One axial slice (107 of 316, counting up from the lowest) of an arterial-phase abdominal CT acquired with 100 kVp, kernel I40f; each pixel is 0.840 mm and the slice is 2.00 mm thick.
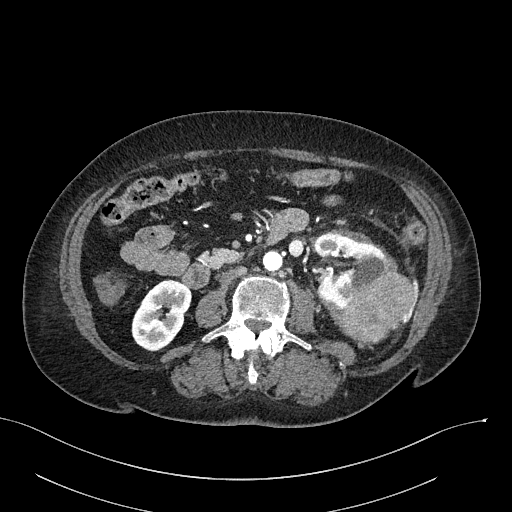
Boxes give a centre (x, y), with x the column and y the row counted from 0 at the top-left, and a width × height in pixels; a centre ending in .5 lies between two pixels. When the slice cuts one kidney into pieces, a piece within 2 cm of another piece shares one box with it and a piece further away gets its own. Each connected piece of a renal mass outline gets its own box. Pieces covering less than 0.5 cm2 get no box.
Boxed on this slice (two kidney boxes and one renal mass box), listed by box centre from the image's left to its right: (1) Box centre (160.5, 315), 60 × 73 pixels: right kidney (outlined area 3,029 px, about 21.4 cm2). (2) Left kidney, box centre (350.5, 271.5), 74 × 78 pixels (outlined area 3,654 px, about 25.8 cm2). (3) Left renal mass, box centre (378, 299.5), 75 × 88 pixels (outlined area 3,787 px, about 26.7 cm2).